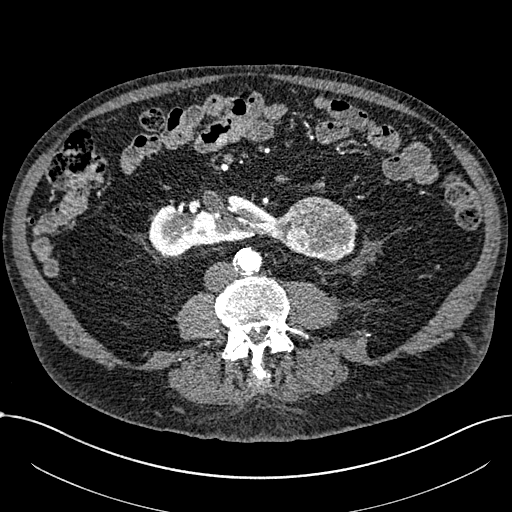
Abdominal CT with intravenous contrast, arterial phase, axial plane, 100 kVp, kernel I30f. Slice 276/1059 from the bottom of the scan; thickness 1.00 mm; pixel size 0.811 mm.
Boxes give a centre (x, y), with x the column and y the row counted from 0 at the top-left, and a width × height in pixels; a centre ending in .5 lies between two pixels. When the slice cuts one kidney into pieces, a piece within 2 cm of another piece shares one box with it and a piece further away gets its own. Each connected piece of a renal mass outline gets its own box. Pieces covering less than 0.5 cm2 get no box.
Boxed on this slice (one kidney box and one renal mass box), listed by box centre from the image's left to its right: (1) Right part of the midline-crossing kidney in a box with centre (215, 225.5), 133 × 62 pixels (outlined area 5,226 px, about 34.3 cm2). (2) Renal mass in a box with centre (317, 228.5), 83 × 66 pixels (outlined area 3,964 px, about 26.0 cm2).